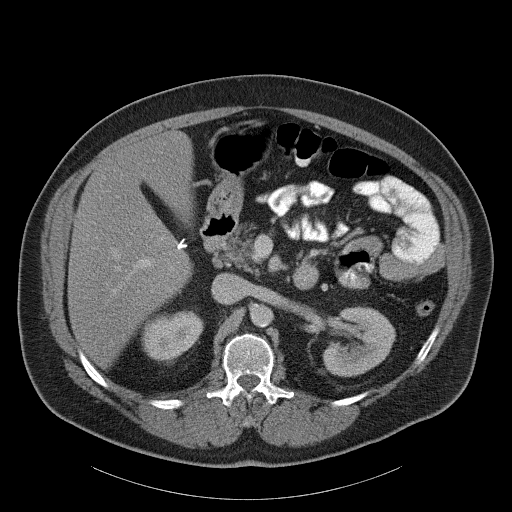
Abdominal CT with intravenous contrast, axial plane, 120 kVp, kernel B31f. Slice 70/107 from the bottom of the scan; thickness 5.00 mm; pixel size 0.941 mm.
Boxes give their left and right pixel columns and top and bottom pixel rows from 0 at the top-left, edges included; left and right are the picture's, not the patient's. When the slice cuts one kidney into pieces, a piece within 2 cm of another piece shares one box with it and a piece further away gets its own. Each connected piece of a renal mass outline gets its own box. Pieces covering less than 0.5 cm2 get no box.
Two kidney boxes on this slice; by box centre, from the image's left to its right: (1) Right kidney, the box with left 141, top 310, right 203, bottom 362 (outlined area 2,420 px, about 21.4 cm2). (2) Left kidney, the box with left 323, top 306, right 395, bottom 376 (outlined area 3,727 px, about 33.0 cm2). No renal mass is outlined on this slice.